Axial slice 443 of 787 of a contrast-enhanced abdominal CT (slice 1 is the lowest), 140 kVp, kernel I30f; 1.00 mm slice thickness and 0.910 mm pixels.
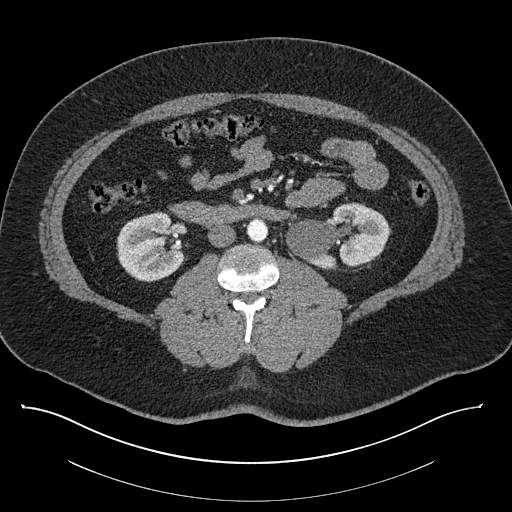
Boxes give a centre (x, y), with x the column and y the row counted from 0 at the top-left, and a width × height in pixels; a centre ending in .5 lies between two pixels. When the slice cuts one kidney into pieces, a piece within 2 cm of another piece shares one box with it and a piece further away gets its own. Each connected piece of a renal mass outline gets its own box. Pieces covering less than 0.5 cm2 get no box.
Boxed on this slice (two kidney boxes), listed by box centre from the image's left to its right: (1) Right kidney in a box with centre (150, 246.5), 69 × 72 pixels (outlined area 3,671 px, about 30.4 cm2). (2) Left kidney in a box with centre (337.5, 235.5), 104 × 68 pixels (outlined area 4,712 px, about 39.0 cm2). No renal mass is outlined on this slice.